One axial slice (106 of 186, counting up from the lowest) of a contrast-enhanced abdominal CT acquired with 120 kVp, kernel STANDARD; each pixel is 0.850 mm and the slice is 2.50 mm thick.
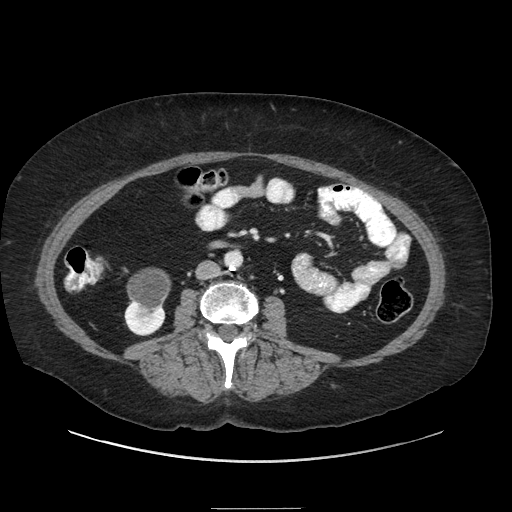
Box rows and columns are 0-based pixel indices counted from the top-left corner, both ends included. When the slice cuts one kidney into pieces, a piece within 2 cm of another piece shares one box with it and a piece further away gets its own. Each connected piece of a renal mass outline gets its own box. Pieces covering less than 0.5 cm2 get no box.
Boxed on this slice (one kidney box and one renal mass box), listed by box centre from the image's left to its right: (1) Box rows 302–336, columns 124–165: right kidney (outlined area 762 px, about 5.5 cm2). (2) Box rows 268–320, columns 126–171: right renal mass (outlined area 1,704 px, about 12.3 cm2).